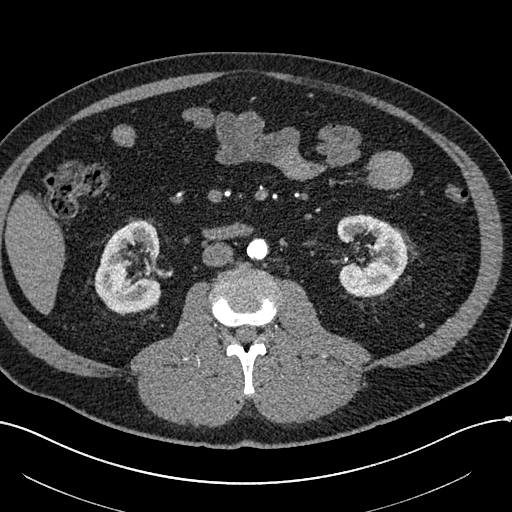
Arterial-phase contrast-enhanced abdominal CT, axial slice 275 of 602 (counted from the lowest slice); tube voltage 120 kVp, convolution kernel I30f; slices 1.00 mm thick, 0.799 mm per pixel.
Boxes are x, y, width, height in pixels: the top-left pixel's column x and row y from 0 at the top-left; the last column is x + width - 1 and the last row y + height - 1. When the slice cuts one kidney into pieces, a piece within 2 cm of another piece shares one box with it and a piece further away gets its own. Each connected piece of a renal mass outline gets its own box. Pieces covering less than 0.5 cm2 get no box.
Boxed on this slice (two kidney boxes), listed by box centre from the image's left to its right: (1) Right kidney at x 94, y 220, width 68, height 94 (outlined area 4,694 px, about 30.0 cm2). (2) Left kidney at x 337, y 214, width 72, height 84 (outlined area 4,257 px, about 27.2 cm2). This slice carries no renal mass outline.